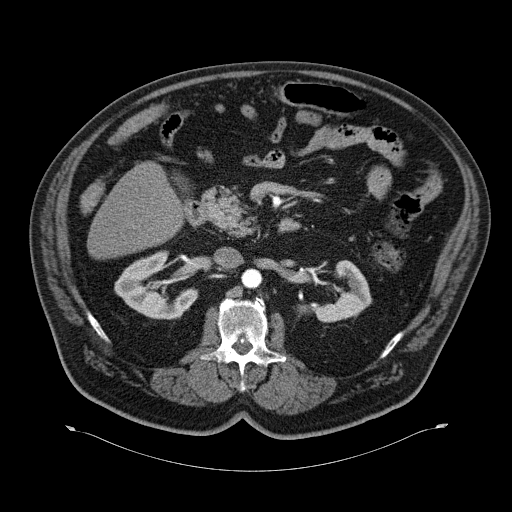
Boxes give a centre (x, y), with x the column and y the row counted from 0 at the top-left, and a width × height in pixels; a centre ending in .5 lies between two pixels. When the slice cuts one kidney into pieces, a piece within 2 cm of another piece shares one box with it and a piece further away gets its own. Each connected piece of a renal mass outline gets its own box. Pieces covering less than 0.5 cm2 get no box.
This is axial slice 35 of 70 (slice 1 is the lowest) of an arterial-phase abdominal CT with contrast; each pixel is 0.977 mm and the slice is 5.00 mm thick. Two boxes on this slice (two kidney boxes), listed by box centre from the image's left to its right. (1) Right kidney, box centre (156, 286), 85 × 67 pixels (outlined area 3,290 px, about 31.4 cm2). (2) Left kidney, box centre (343, 291), 59 × 63 pixels (outlined area 2,038 px, about 19.4 cm2). No renal mass is outlined on this slice.
Acquired at 120 kVp and reconstructed with the B30f kernel.